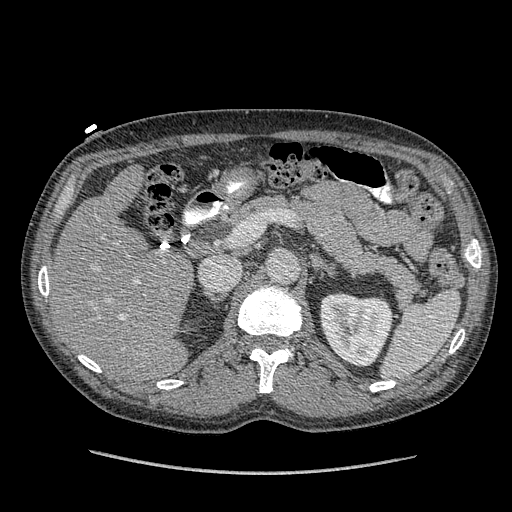
Abdominal CT with intravenous contrast, arterial phase, axial plane, 120 kVp, kernel STANDARD. Slice 243/349 from the bottom of the scan; thickness 1.25 mm; pixel size 0.742 mm.
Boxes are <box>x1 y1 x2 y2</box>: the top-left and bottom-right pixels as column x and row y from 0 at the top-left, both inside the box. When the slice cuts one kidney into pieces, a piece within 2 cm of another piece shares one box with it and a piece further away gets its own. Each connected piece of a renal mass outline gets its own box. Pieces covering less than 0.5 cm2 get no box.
At <box>319 292 394 367</box>: left kidney (outlined area 4,299 px, about 23.7 cm2). No renal mass outline on this slice.